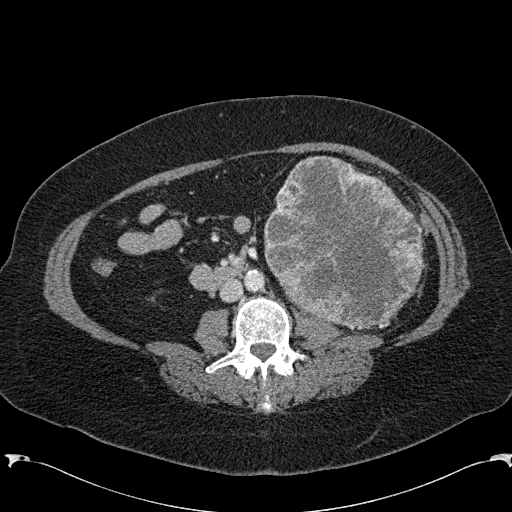
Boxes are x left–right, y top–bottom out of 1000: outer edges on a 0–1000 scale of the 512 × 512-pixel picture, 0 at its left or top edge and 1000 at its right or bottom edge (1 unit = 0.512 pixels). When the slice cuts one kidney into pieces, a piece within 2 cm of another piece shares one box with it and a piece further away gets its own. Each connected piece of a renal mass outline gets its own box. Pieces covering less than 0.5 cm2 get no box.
Arterial-phase contrast-enhanced abdominal CT, axial slice 87 of 285 (counted from the lowest slice); 2.00 mm thick, 0.762 mm per pixel. Left renal mass at x 516–830, y 303–646 out of 1000 (outlined area 20,912 px, about 121.3 cm2); here it is more than 1 cm from any kidney outline, though on another slice the same outlined renal mass lies within 1 cm of the kidney.
Acquired at 120 kVp and reconstructed with the B31f kernel.